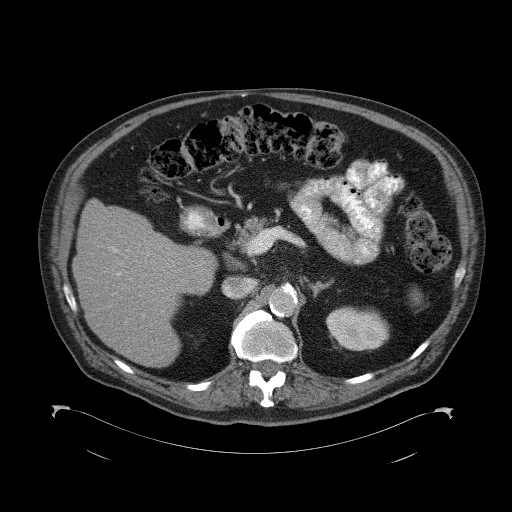
Axial slice 67 of 98 of a contrast-enhanced abdominal CT (slice 1 is the lowest), 120 kVp, kernel B41f; 5.00 mm slice thickness and 0.965 mm pixels.
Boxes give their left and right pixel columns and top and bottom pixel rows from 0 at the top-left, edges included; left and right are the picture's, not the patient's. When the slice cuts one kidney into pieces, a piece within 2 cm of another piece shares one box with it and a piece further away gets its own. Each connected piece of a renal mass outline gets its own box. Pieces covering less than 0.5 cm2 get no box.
Box with left 326, top 306, right 389, bottom 351: left kidney (outlined area 2,228 px, about 20.7 cm2). No renal mass is outlined on this slice.